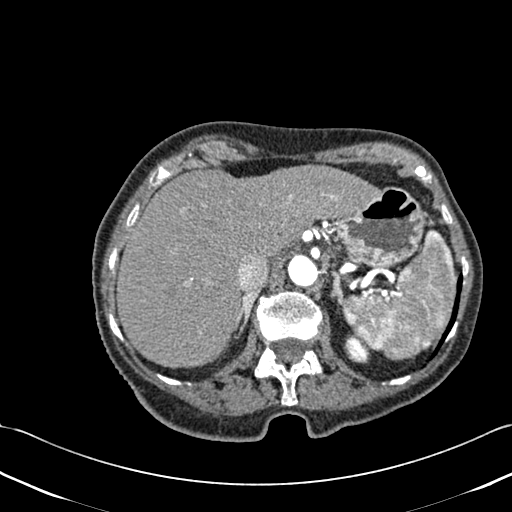
One axial slice (343 of 433, counting up from the lowest) of a contrast-enhanced abdominal CT acquired with 120 kVp, kernel B30f; each pixel is 0.672 mm and the slice is 1.00 mm thick.
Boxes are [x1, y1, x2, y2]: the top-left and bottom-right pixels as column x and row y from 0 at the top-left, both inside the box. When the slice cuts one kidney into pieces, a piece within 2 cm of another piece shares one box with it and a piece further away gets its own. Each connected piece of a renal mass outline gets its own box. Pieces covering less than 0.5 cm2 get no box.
Left kidney at [343, 333, 371, 363] (outlined area 620 px, about 2.8 cm2). No renal mass is outlined on this slice.